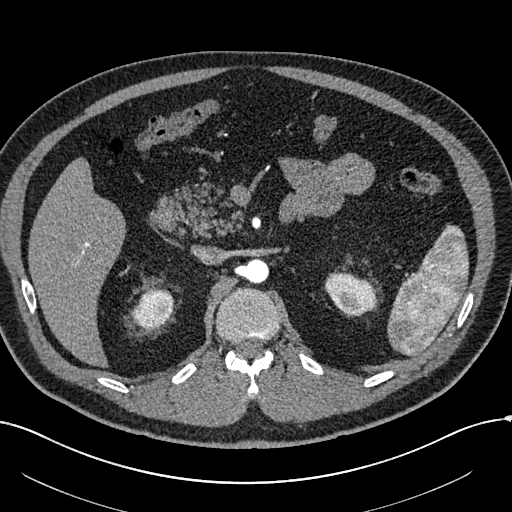
Arterial-phase contrast-enhanced abdominal CT, axial slice 407 of 602 (counted from the lowest slice); tube voltage 120 kVp, convolution kernel I30f; slices 1.00 mm thick, 0.799 mm per pixel.
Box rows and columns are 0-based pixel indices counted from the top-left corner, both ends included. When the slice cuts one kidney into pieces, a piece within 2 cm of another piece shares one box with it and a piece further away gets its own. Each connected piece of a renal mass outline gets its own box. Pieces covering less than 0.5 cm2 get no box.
Two boxes on this slice (two kidney boxes), listed by box centre from the image's left to its right. (1) Right kidney, box rows 289–330, columns 132–173 (outlined area 1,297 px, about 8.3 cm2). (2) Box rows 272–316, columns 325–376: left kidney (outlined area 1,670 px, about 10.7 cm2). No renal mass outline on this slice.